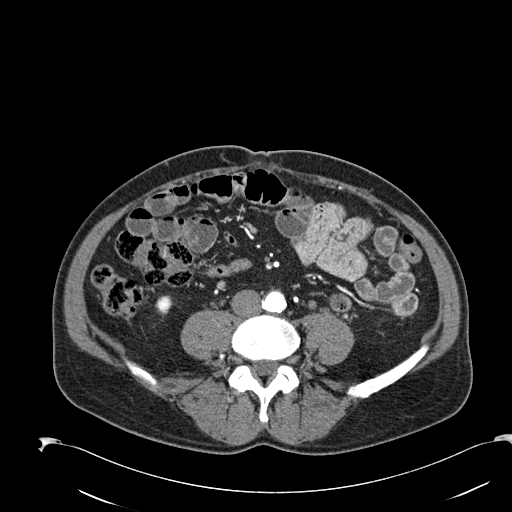
Axial slice 38 of 274 of a contrast-enhanced abdominal CT in the arterial phase (slice 1 is the lowest), 120 kVp, kernel B30f; 2.00 mm slice thickness and 0.809 mm pixels.
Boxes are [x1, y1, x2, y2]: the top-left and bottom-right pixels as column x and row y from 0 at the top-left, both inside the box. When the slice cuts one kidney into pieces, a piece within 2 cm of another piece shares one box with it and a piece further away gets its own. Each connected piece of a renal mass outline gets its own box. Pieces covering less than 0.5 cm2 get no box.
Box [155, 295, 173, 315]: right kidney (outlined area 274 px, about 1.8 cm2). No renal mass outline on this slice.